Arterial-phase contrast-enhanced abdominal CT, axial slice 234 of 620 (counted from the lowest slice); tube voltage 120 kVp, convolution kernel B31f; slices 2.00 mm thick, 0.637 mm per pixel.
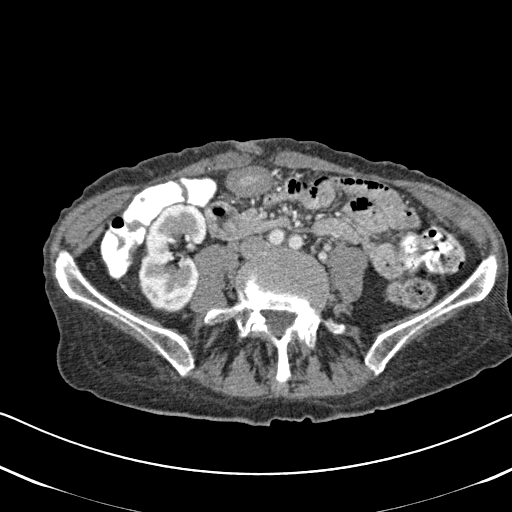
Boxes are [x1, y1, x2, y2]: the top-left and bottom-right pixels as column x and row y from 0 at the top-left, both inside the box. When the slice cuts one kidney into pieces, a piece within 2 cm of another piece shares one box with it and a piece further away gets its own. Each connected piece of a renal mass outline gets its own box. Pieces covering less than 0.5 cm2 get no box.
Right kidney, box [138, 203, 209, 313] (outlined area 5,724 px, about 23.2 cm2). This slice carries no renal mass outline.